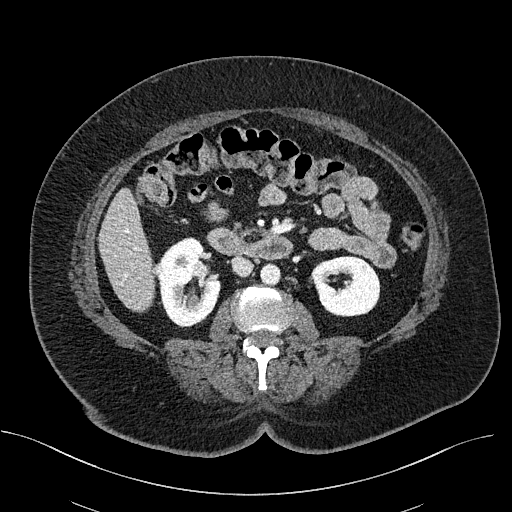
One axial slice (285 of 470, counting up from the lowest) of a contrast-enhanced abdominal CT acquired with 100 kVp, kernel I40f; each pixel is 0.824 mm and the slice is 2.00 mm thick.
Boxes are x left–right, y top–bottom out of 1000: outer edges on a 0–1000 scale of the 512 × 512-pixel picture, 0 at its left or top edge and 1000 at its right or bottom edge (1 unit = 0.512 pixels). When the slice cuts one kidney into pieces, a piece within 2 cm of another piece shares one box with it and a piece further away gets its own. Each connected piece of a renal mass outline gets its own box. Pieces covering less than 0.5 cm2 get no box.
Two kidney boxes and one renal mass box on this slice; by box centre, from the image's left to its right: (1) Box x 297–324, y 516–539 out of 1000: right renal mass (outlined area 139 px, about 0.9 cm2). (2) Right kidney, box x 301–434, y 463–641 out of 1000 (outlined area 4,103 px, about 27.9 cm2). (3) Left kidney, box x 607–744, y 500–619 out of 1000 (outlined area 3,245 px, about 22.0 cm2).